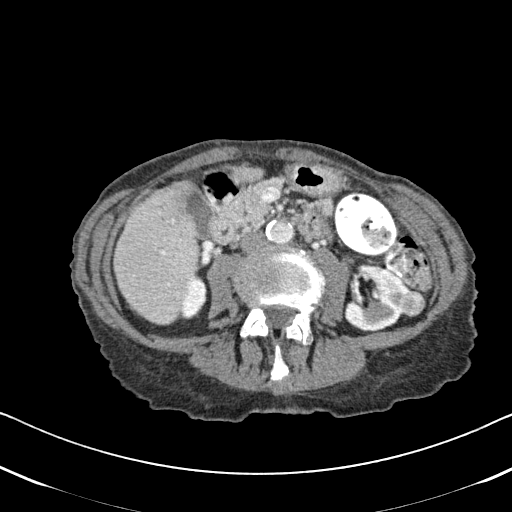
Axial slice 269 of 620 of a contrast-enhanced abdominal CT in the arterial phase (slice 1 is the lowest), 120 kVp, kernel B31f; 2.00 mm slice thickness and 0.637 mm pixels.
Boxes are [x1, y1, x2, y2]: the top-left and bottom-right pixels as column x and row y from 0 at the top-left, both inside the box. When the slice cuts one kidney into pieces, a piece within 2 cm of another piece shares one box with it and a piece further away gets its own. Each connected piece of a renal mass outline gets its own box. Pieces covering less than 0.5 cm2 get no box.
Boxed on this slice (two kidney boxes and one renal mass box), listed by box centre from the image's left to its right: (1) Right kidney, box [182, 276, 207, 319] (outlined area 839 px, about 3.4 cm2). (2) Left kidney at [344, 263, 410, 332] (outlined area 3,038 px, about 12.3 cm2). (3) Left renal mass at [399, 290, 425, 317] (outlined area 594 px, about 2.4 cm2).